Abdominal CT with intravenous contrast, axial plane, 100 kVp, kernel I40f. Slice 278/439 from the bottom of the scan; thickness 2.00 mm; pixel size 0.850 mm.
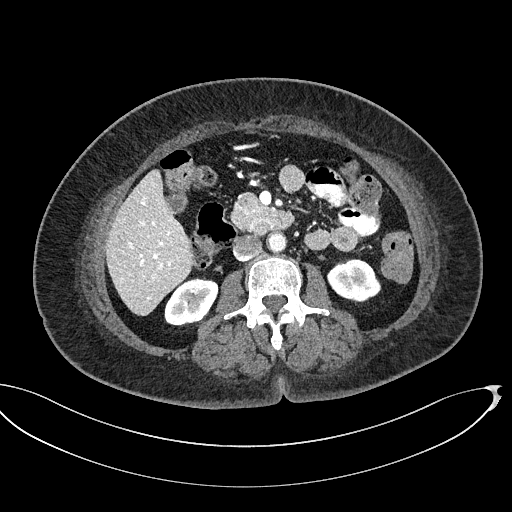
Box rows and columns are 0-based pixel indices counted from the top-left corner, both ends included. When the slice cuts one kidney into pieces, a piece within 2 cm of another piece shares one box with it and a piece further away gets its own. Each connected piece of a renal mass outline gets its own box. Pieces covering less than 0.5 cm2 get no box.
Two boxes on this slice (two kidney boxes), listed by box centre from the image's left to its right. (1) Right kidney, box rows 277–325, columns 164–218 (outlined area 1,921 px, about 13.9 cm2). (2) Left kidney, box rows 258–303, columns 327–381 (outlined area 1,755 px, about 12.7 cm2). No renal mass is outlined on this slice.